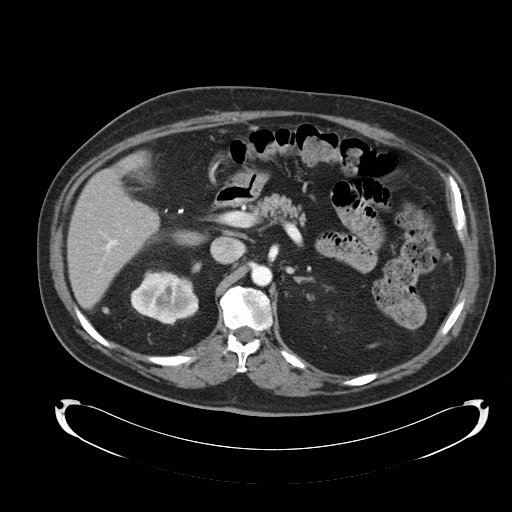
Abdominal CT with intravenous contrast, axial plane, 120 kVp, kernel B30f. Slice 70/92 from the bottom of the scan; thickness 5.00 mm; pixel size 0.918 mm.
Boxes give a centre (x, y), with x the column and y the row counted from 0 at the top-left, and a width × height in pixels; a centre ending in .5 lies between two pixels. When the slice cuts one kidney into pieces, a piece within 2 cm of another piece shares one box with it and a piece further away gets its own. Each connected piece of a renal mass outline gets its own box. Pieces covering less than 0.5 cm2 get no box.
Right kidney, box centre (164, 297.5), 69 × 56 pixels (outlined area 2,778 px, about 23.4 cm2). This slice carries no renal mass outline.